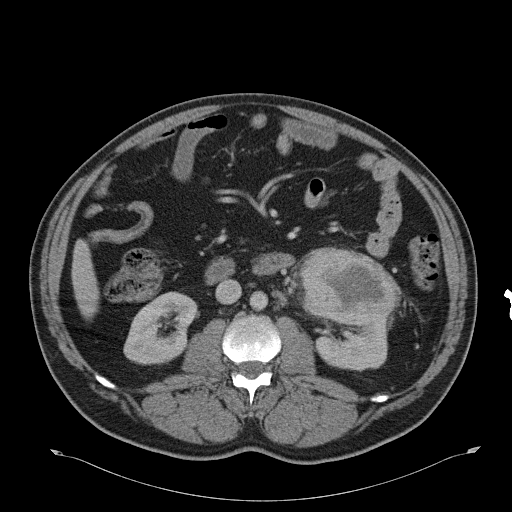
Abdominal CT with intravenous contrast, axial plane, 120 kVp, kernel B31f. Slice 18/51 from the bottom of the scan; thickness 5.00 mm; pixel size 0.865 mm.
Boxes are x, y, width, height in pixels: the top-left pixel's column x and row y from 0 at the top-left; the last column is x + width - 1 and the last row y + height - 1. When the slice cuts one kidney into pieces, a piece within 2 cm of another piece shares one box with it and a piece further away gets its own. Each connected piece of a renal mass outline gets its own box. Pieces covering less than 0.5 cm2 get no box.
Two kidney boxes and one renal mass box on this slice; by box centre, from the image's left to its right: (1) Right kidney at x 123, y 291, width 75, height 74 (outlined area 3,781 px, about 28.3 cm2). (2) Left renal mass at x 300, y 247, width 102, height 79 (outlined area 6,048 px, about 45.3 cm2). (3) Left kidney, box x 315, y 318, width 73, height 53 (outlined area 2,824 px, about 21.1 cm2).